Axial slice 408 of 626 of a contrast-enhanced abdominal CT in the arterial phase (slice 1 is the lowest), 120 kVp, kernel I30f; 1.00 mm slice thickness and 0.703 mm pixels.
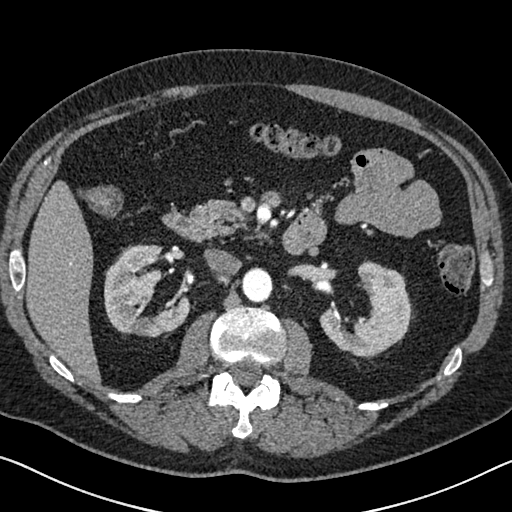
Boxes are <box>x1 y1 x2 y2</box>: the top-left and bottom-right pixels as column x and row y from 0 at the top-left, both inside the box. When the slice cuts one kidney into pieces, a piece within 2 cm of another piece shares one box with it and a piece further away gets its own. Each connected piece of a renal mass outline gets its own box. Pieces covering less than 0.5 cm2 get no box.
Boxed on this slice (two kidney boxes), listed by box centre from the image's left to its right: (1) Right kidney: <box>104 244 189 337</box> (outlined area 5,312 px, about 26.3 cm2). (2) At <box>319 261 412 357</box>: left kidney (outlined area 5,122 px, about 25.3 cm2). This slice carries no renal mass outline.